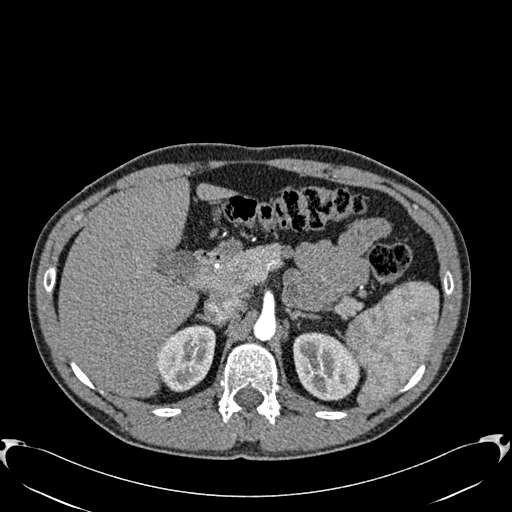
Axial slice 421 of 512 of a contrast-enhanced abdominal CT in the arterial phase (slice 1 is the lowest), 120 kVp, kernel B30f; 1.00 mm slice thickness and 0.771 mm pixels.
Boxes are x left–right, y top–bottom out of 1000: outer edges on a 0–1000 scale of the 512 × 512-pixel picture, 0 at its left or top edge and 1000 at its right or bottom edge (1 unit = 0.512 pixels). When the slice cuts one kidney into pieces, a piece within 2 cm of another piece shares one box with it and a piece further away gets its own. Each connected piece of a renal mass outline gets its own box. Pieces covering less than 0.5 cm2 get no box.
Two kidney boxes on this slice; by box centre, from the image's left to its right: (1) Box x 305–422, y 633–768 out of 1000: right kidney (outlined area 3,019 px, about 18.0 cm2). (2) Left kidney at x 572–703, y 648–783 out of 1000 (outlined area 3,522 px, about 21.0 cm2). No renal mass outline on this slice.